Arterial-phase contrast-enhanced abdominal CT, axial slice 15 of 69 (counted from the lowest slice); tube voltage 120 kVp, convolution kernel STANDARD; slices 2.50 mm thick, 0.846 mm per pixel.
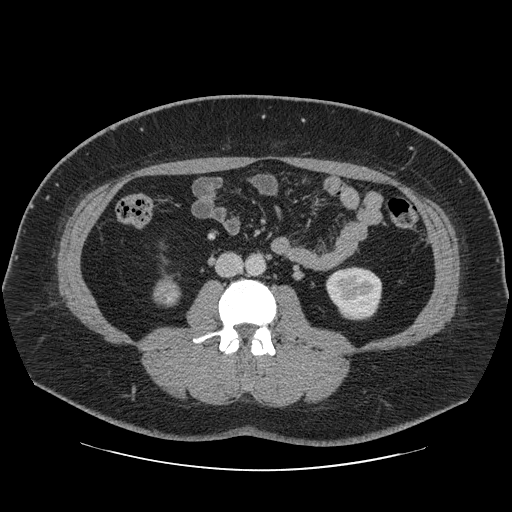
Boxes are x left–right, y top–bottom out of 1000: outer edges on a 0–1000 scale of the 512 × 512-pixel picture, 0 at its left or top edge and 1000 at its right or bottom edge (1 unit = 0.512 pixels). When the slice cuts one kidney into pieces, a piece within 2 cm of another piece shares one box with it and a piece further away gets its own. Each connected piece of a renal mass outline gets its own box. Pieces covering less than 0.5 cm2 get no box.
Boxed on this slice (one kidney box and one renal mass box), listed by box centre from the image's left to its right: (1) Right renal mass, box x 297–355, y 543–602 out of 1000 (outlined area 647 px, about 4.6 cm2). (2) Left kidney, box x 635–748, y 520–627 out of 1000 (outlined area 2,394 px, about 17.1 cm2).